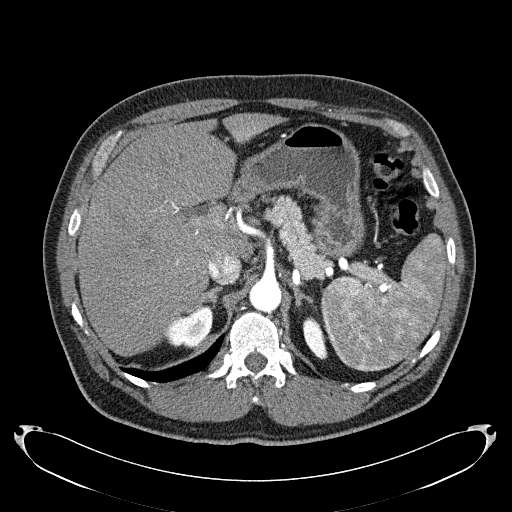
Axial slice 171 of 279 of a contrast-enhanced abdominal CT in the arterial phase (slice 1 is the lowest), 120 kVp, kernel B31f; 2.00 mm slice thickness and 0.824 mm pixels.
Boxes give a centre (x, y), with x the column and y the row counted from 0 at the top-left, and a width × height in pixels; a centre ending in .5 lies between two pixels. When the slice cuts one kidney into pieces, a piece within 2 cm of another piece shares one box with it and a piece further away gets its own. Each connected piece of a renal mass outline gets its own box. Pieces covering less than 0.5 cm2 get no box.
Two kidney boxes on this slice; by box centre, from the image's left to its right: (1) Right kidney in a box with centre (188, 325.5), 51 × 44 pixels (outlined area 1,439 px, about 9.8 cm2). (2) Box centre (314.5, 337.5), 26 × 44 pixels: left kidney (outlined area 721 px, about 4.9 cm2). No renal mass outline on this slice.